One axial slice (395 of 553, counting up from the lowest) of an arterial-phase abdominal CT acquired with 120 kVp, kernel B20f; each pixel is 0.773 mm and the slice is 1.00 mm thick.
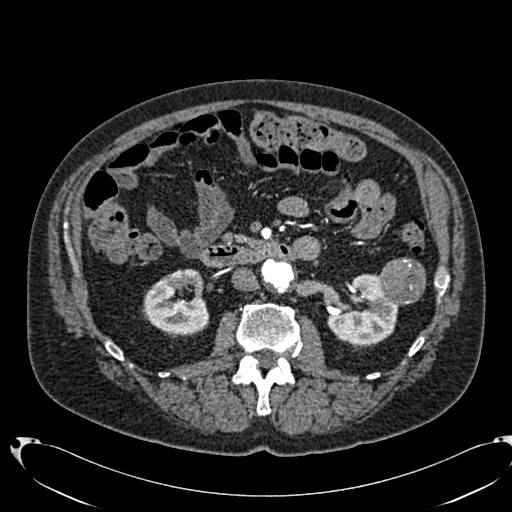
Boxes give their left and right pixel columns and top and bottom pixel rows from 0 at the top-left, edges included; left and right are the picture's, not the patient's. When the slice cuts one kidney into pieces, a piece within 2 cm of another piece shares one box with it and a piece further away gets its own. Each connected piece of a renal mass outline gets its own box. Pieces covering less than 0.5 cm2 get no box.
Three boxes on this slice (two kidney boxes and one renal mass box), listed by box centre from the image's left to its right. (1) Right kidney, the box with left 143, top 268, right 209, bottom 335 (outlined area 3,278 px, about 19.6 cm2). (2) Left kidney, the box with left 327, top 274, right 398, bottom 345 (outlined area 3,420 px, about 20.5 cm2). (3) Box with left 379, top 257, right 425, bottom 305: left renal mass (outlined area 1,799 px, about 10.8 cm2).